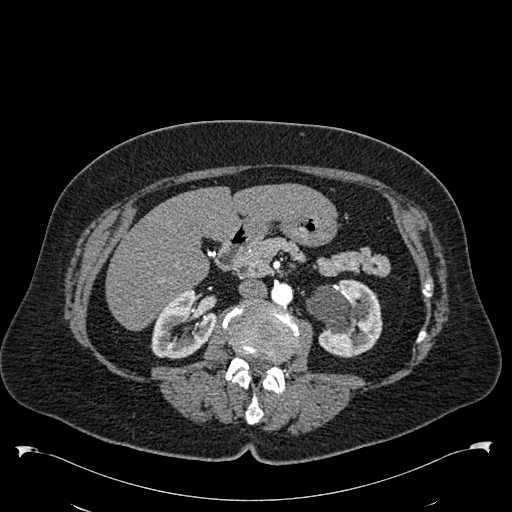
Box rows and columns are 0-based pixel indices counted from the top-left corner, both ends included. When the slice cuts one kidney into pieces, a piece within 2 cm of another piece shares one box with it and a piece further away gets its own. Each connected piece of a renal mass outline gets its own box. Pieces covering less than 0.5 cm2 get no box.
Slice 322/538 of a contrast-enhanced abdominal CT in the arterial phase, counting up from the lowest; pixel size 0.811 mm, slice thickness 1.00 mm. Two boxes on this slice (two kidney boxes), listed by box centre from the image's left to its right. (1) Box rows 287–359, columns 151–216: right kidney (outlined area 3,126 px, about 20.5 cm2). (2) Box rows 279–357, columns 306–382: left kidney (outlined area 4,379 px, about 28.8 cm2). No renal mass outline on this slice.
Acquired at 120 kVp and reconstructed with the B30f kernel.